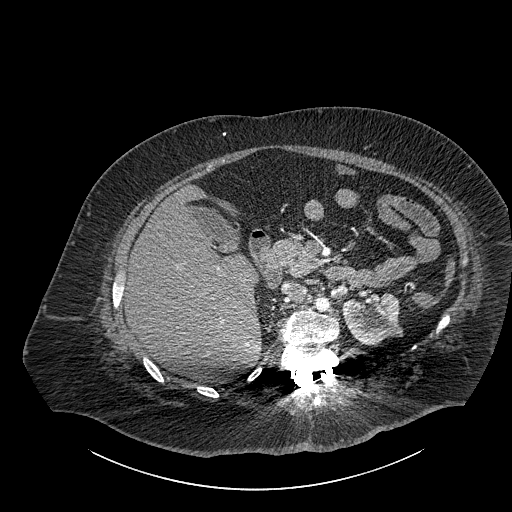
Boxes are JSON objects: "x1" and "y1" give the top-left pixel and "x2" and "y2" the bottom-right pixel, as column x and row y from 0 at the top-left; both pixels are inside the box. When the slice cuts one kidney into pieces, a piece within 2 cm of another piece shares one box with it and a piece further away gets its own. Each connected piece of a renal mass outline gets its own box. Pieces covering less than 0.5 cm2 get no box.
Contrast-enhanced abdominal CT, axial slice 586 of 834 (counted from the lowest slice); 1.00 mm thick, 0.977 mm per pixel. Left part of the midline-crossing kidney at {"x1": 342, "y1": 292, "x2": 403, "y2": 345} (outlined area 2,445 px, about 23.3 cm2). No renal mass is outlined on this slice.
Acquired at 140 kVp and reconstructed with the I30f kernel.